Axial slice 59 of 90 of a contrast-enhanced abdominal CT (slice 1 is the lowest), 100 kVp, kernel I40f; 5.00 mm slice thickness and 0.684 mm pixels.
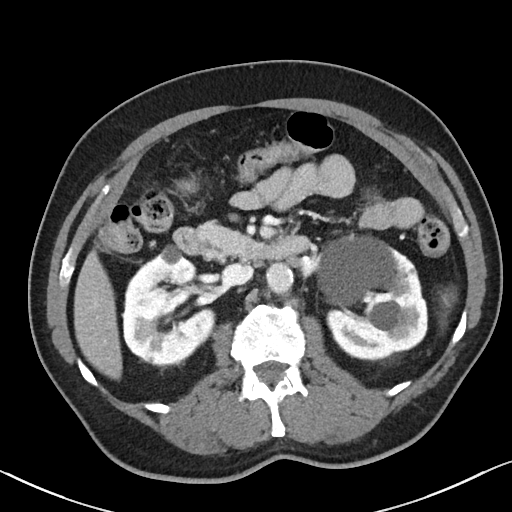
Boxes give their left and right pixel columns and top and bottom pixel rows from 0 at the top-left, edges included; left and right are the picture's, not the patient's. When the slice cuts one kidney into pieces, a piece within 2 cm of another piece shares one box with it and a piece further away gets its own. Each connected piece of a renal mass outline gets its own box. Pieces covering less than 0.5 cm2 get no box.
Two kidney boxes on this slice; by box centre, from the image's left to its right: (1) Right kidney, the box with left 121, top 244, right 215, bottom 366 (outlined area 8,069 px, about 37.7 cm2). (2) Box with left 316, top 231, right 428, bottom 360: left kidney (outlined area 10,774 px, about 50.3 cm2). This slice carries no renal mass outline.